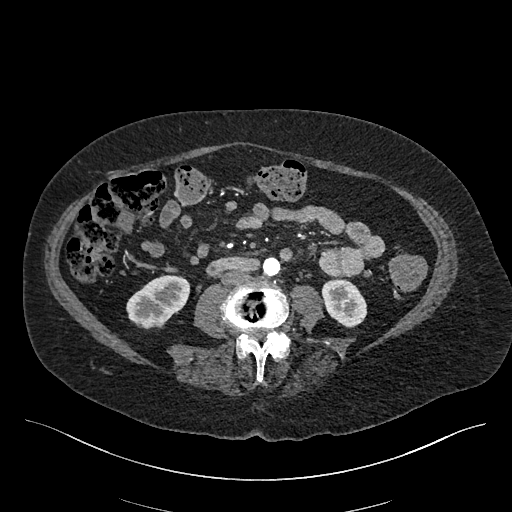
Axial slice 175 of 548 of a contrast-enhanced abdominal CT in the arterial phase (slice 1 is the lowest), 120 kVp, kernel I26f; 1.00 mm slice thickness and 0.852 mm pixels.
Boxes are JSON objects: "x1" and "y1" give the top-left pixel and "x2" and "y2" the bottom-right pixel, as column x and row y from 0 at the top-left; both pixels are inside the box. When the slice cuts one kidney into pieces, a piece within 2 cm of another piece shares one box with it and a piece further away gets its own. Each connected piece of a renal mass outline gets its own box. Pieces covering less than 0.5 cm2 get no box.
Two kidney boxes on this slice; by box centre, from the image's left to its right: (1) Box {"x1": 126, "y1": 275, "x2": 189, "y2": 329}: right kidney (outlined area 2,410 px, about 17.5 cm2). (2) Left kidney, box {"x1": 321, "y1": 278, "x2": 367, "y2": 327} (outlined area 1,679 px, about 12.2 cm2). This slice carries no renal mass outline.